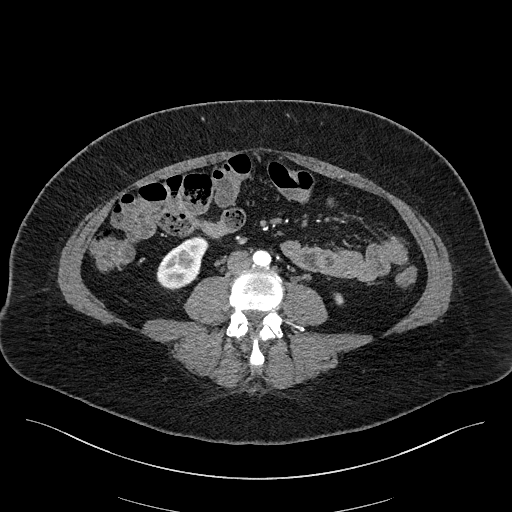
Axial slice 51 of 270 of a contrast-enhanced abdominal CT in the arterial phase (slice 1 is the lowest), 100 kVp, kernel I40f; 2.00 mm slice thickness and 0.855 mm pixels.
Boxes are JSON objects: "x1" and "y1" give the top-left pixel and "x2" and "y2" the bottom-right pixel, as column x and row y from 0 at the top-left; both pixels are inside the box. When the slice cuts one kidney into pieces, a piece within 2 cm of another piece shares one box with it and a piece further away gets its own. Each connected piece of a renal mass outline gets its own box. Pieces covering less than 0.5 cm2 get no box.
Boxed on this slice (two kidney boxes), listed by box centre from the image's left to its right: (1) Right kidney at {"x1": 156, "y1": 236, "x2": 208, "y2": 290} (outlined area 1,835 px, about 13.4 cm2). (2) Box {"x1": 334, "y1": 293, "x2": 343, "y2": 304}: left kidney (outlined area 93 px, about 0.7 cm2). No renal mass outline on this slice.